Abdominal CT with intravenous contrast, axial plane, 120 kVp, kernel STANDARD. Slice 50/95 from the bottom of the scan; thickness 5.00 mm; pixel size 0.781 mm.
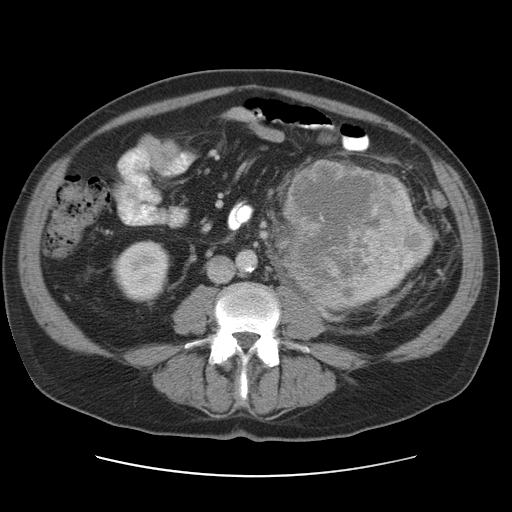
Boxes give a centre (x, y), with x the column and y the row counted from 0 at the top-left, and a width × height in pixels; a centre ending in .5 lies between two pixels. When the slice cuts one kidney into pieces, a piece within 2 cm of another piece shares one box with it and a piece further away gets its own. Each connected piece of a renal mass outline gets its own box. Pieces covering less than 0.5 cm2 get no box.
Two kidney boxes and one renal mass box on this slice; by box centre, from the image's left to its right: (1) Right kidney, box centre (141, 271), 59 × 63 pixels (outlined area 2,808 px, about 17.1 cm2). (2) Left renal mass, box centre (350, 235.5), 135 × 152 pixels (outlined area 16,423 px, about 100.2 cm2). (3) Left kidney in a box with centre (424, 243), 23 × 53 pixels (outlined area 632 px, about 3.9 cm2).